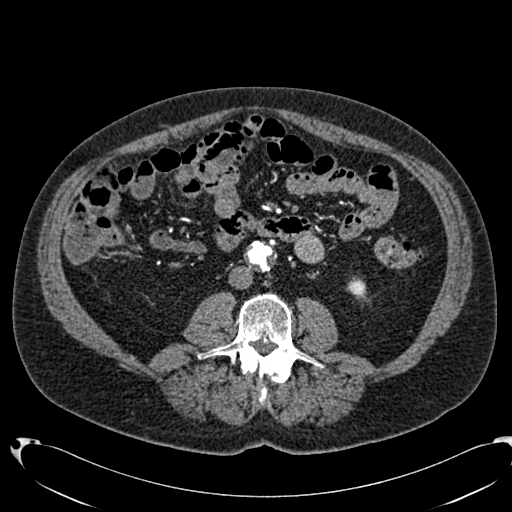
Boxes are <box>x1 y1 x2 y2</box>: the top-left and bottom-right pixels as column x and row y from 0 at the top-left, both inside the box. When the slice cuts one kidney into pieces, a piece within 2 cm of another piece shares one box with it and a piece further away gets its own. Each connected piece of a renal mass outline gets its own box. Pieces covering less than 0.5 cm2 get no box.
Slice 310/553 of a contrast-enhanced abdominal CT in the arterial phase, counting up from the lowest; pixel size 0.773 mm, slice thickness 1.00 mm. At <box>347 280 366 296</box>: left kidney (outlined area 254 px, about 1.5 cm2). No renal mass outline on this slice.
Scan settings: 120 kVp, B20f reconstruction kernel.